One axial slice (230 of 325, counting up from the lowest) of an arterial-phase abdominal CT acquired with 100 kVp, kernel I30f; each pixel is 0.703 mm and the slice is 1.00 mm thick.
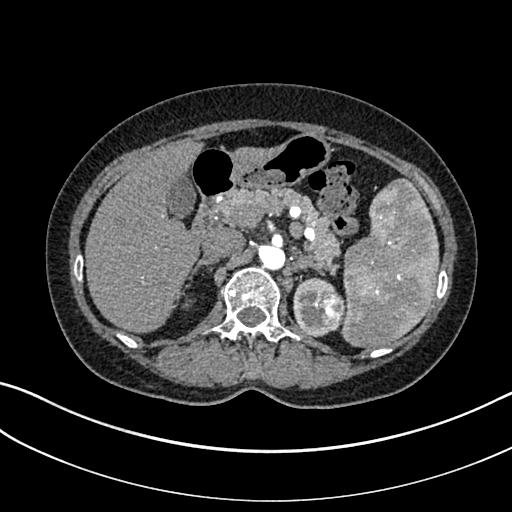
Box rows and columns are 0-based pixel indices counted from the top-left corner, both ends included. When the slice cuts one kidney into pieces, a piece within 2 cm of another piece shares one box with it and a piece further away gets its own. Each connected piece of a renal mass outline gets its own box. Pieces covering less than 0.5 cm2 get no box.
One kidney box and one renal mass box on this slice; by box centre, from the image's left to its right: (1) Left kidney at rows 277–337, columns 293–335 (outlined area 1,441 px, about 7.1 cm2). (2) Left renal mass, box rows 291–331, columns 314–345 (outlined area 976 px, about 4.8 cm2).